Axial slice 236 of 673 of a contrast-enhanced abdominal CT in the arterial phase (slice 1 is the lowest), 120 kVp, kernel I30f; 1.00 mm slice thickness and 0.855 mm pixels.
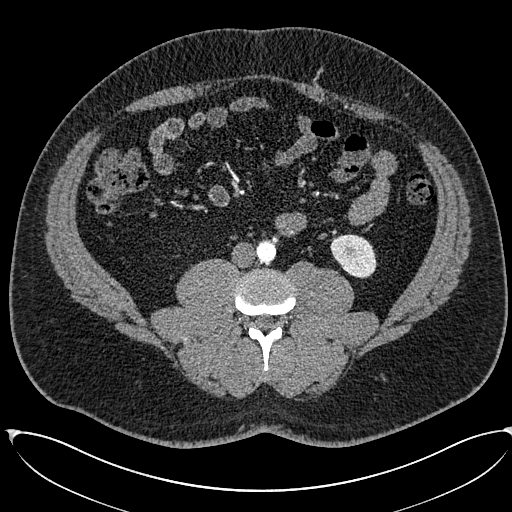
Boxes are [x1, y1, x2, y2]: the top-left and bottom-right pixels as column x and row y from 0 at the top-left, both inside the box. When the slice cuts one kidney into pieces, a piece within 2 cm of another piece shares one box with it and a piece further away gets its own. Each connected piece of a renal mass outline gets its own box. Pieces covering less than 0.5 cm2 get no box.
Left kidney at [330, 234, 377, 278] (outlined area 1,540 px, about 11.3 cm2). No renal mass outline on this slice.